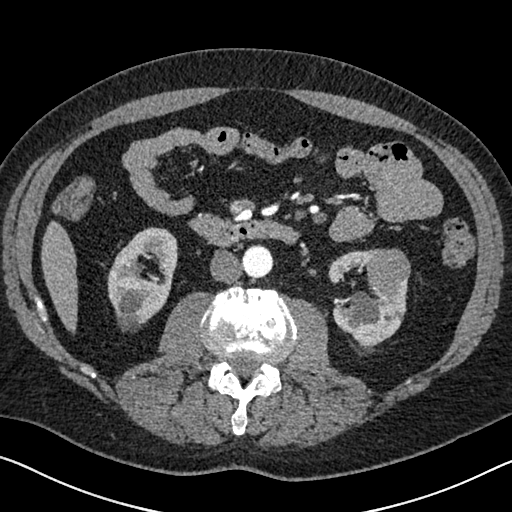
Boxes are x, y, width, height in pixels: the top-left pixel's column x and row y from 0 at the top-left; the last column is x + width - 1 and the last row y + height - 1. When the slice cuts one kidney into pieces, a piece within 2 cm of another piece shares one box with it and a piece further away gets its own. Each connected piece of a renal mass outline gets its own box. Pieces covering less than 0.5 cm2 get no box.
Arterial-phase contrast-enhanced abdominal CT, axial slice 338 of 626 (counted from the lowest slice); 1.00 mm thick, 0.703 mm per pixel. Three boxes on this slice (two kidney boxes and one renal mass box), listed by box centre from the image's left to its right. (1) Box x 107, y 227, width 72, height 105: right kidney (outlined area 4,959 px, about 24.5 cm2). (2) Left kidney, box x 328, y 249, width 81, height 97 (outlined area 4,179 px, about 20.7 cm2). (3) Box x 364, y 248, width 47, height 43: left renal mass (outlined area 1,557 px, about 7.7 cm2).
Tube voltage 120 kVp; convolution kernel I30f.